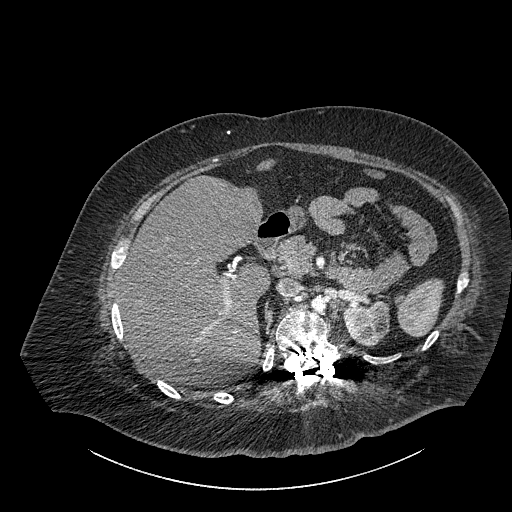
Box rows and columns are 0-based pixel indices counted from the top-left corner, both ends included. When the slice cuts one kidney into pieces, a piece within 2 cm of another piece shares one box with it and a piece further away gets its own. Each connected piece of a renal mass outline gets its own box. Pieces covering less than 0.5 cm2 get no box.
Slice 613/834 of a contrast-enhanced abdominal CT, counting up from the lowest; pixel size 0.977 mm, slice thickness 1.00 mm. Box rows 300–347, columns 343–389: left part of the midline-crossing kidney (outlined area 1,631 px, about 15.6 cm2). No renal mass is outlined on this slice.
Tube voltage 140 kVp; convolution kernel I30f.